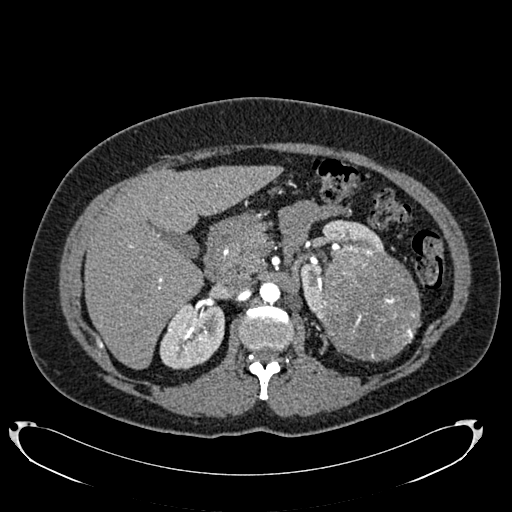
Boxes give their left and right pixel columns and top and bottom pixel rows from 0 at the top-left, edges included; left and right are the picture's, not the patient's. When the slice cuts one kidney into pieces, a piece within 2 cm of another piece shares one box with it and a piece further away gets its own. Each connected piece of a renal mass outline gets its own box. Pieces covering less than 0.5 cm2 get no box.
Arterial-phase contrast-enhanced abdominal CT, axial slice 470 of 634 (counted from the lowest slice); 1.00 mm thick, 0.838 mm per pixel. Three boxes on this slice (two kidney boxes and one renal mass box), listed by box centre from the image's left to its right. (1) Box with left 159, top 302, right 224, bottom 369: right kidney (outlined area 3,379 px, about 23.7 cm2). (2) Left kidney, the box with left 298, top 219, right 383, bottom 318 (outlined area 2,613 px, about 18.3 cm2). (3) Left renal mass, the box with left 318, top 245, right 421, bottom 361 (outlined area 9,531 px, about 66.9 cm2).
Scan settings: 120 kVp, B20f reconstruction kernel.